One axial slice (68 of 304, counting up from the lowest) of an arterial-phase abdominal CT acquired with 100 kVp, kernel I30f; each pixel is 0.809 mm and the slice is 2.00 mm thick.
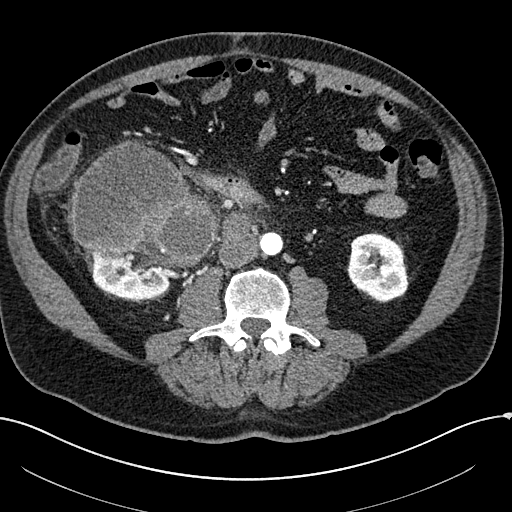
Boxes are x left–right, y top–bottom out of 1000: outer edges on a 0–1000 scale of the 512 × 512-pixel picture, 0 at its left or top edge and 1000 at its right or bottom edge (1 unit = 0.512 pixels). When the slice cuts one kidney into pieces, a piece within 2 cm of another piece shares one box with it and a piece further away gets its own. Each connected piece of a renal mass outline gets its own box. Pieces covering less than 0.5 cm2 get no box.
Two kidney boxes and one renal mass box on this slice; by box centre, from the image's left to its right: (1) Box x 170–344, y 490–588 out of 1000: right kidney (outlined area 2,892 px, about 18.9 cm2). (2) Box x 137–426, y 275–529 out of 1000: right renal mass (outlined area 13,556 px, about 88.6 cm2). (3) Box x 676–805, y 453–592 out of 1000: left kidney (outlined area 3,380 px, about 22.1 cm2).